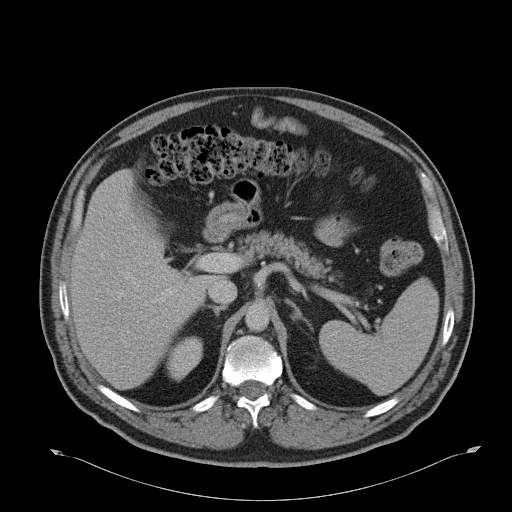
Axial slice 31 of 51 of a contrast-enhanced abdominal CT (slice 1 is the lowest), 120 kVp, kernel B31f; 5.00 mm slice thickness and 0.865 mm pixels.
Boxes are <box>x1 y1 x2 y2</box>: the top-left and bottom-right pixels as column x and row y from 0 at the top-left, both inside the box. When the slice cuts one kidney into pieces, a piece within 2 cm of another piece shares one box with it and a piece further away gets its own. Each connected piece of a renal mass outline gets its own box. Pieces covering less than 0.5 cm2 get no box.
At <box>166 336 203 381</box>: right kidney (outlined area 1,210 px, about 9.1 cm2). This slice carries no renal mass outline.